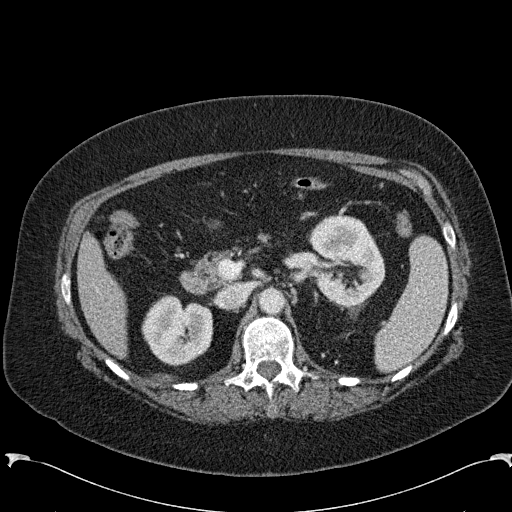
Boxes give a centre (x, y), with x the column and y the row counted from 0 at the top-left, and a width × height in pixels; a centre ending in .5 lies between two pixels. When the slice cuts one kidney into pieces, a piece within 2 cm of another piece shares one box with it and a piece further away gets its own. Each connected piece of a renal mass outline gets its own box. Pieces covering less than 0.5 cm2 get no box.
Arterial-phase contrast-enhanced abdominal CT, axial slice 154 of 285 (counted from the lowest slice); 2.00 mm thick, 0.762 mm per pixel. Boxed on this slice (two kidney boxes), listed by box centre from the image's left to its right: (1) Right kidney in a box with centre (177, 330.5), 73 × 72 pixels (outlined area 3,835 px, about 22.3 cm2). (2) Left kidney in a box with centre (346, 260), 79 × 93 pixels (outlined area 5,267 px, about 30.6 cm2). This slice carries no renal mass outline.
Tube voltage 120 kVp; convolution kernel B31f.